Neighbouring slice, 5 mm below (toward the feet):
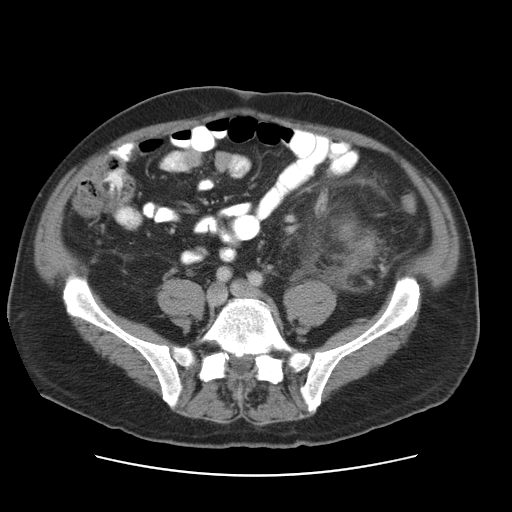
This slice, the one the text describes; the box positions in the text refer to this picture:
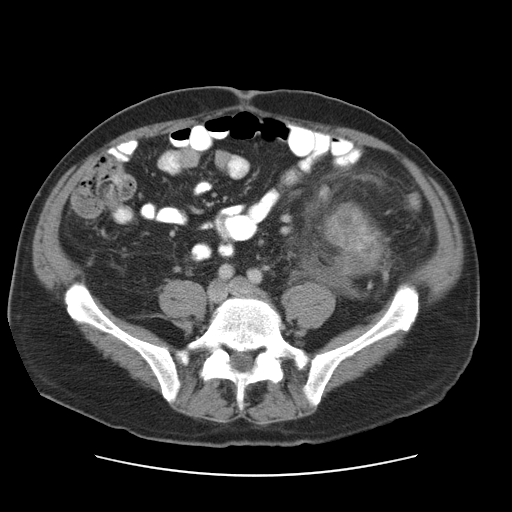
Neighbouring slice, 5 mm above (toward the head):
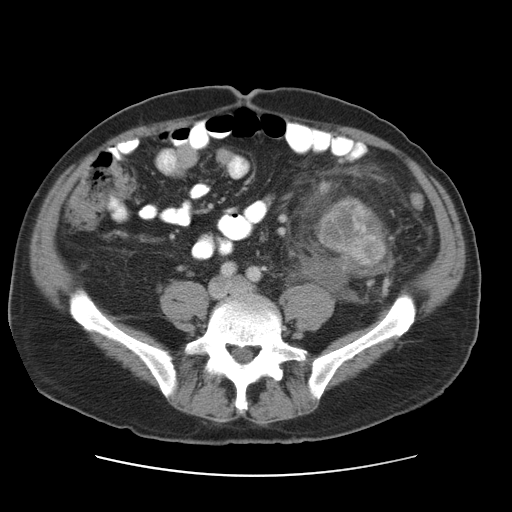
Abdominal CT with intravenous contrast, axial plane, 120 kVp, kernel STANDARD. Slice 41/95 from the bottom of the scan; thickness 5.00 mm; pixel size 0.781 mm.
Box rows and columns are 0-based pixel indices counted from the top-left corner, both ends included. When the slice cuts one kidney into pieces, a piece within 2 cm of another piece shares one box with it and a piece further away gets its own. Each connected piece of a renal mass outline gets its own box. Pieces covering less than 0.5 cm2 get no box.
Left renal mass at rows 200–265, columns 322–388 (outlined area 2,846 px, about 17.4 cm2); no kidney is outlined on this slice, but the same outlined renal mass comes within 1 cm of the kidney on another slice. This slice is near the end of the left renal mass toward the feet, so the slices 5 mm below and 5 mm above it are shown as well; the boxes refer to this slice only.